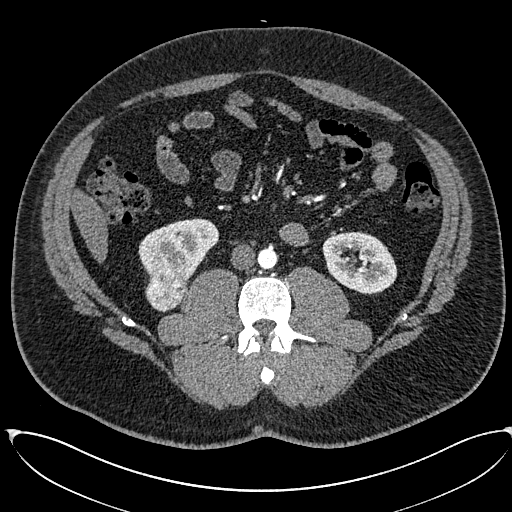
Axial slice 276 of 673 of a contrast-enhanced abdominal CT in the arterial phase (slice 1 is the lowest), 120 kVp, kernel I30f; 1.00 mm slice thickness and 0.855 mm pixels.
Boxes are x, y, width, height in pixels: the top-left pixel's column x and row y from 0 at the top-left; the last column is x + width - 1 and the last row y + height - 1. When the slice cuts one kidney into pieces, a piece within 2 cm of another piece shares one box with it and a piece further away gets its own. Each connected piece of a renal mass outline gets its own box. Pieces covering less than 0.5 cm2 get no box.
Two kidney boxes and one renal mass box on this slice; by box centre, from the image's left to its right: (1) Box x 145, y 268, width 43, height 44: right renal mass (outlined area 1,416 px, about 10.4 cm2). (2) Right kidney, box x 138, y 218, width 81, height 65 (outlined area 3,352 px, about 24.5 cm2). (3) Left kidney, box x 322, y 231, width 76, height 64 (outlined area 3,506 px, about 25.7 cm2).